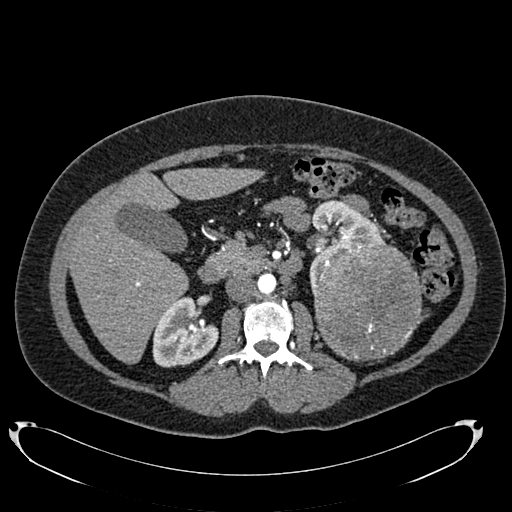
Axial slice 431 of 634 of a contrast-enhanced abdominal CT in the arterial phase (slice 1 is the lowest), 120 kVp, kernel B20f; 1.00 mm slice thickness and 0.838 mm pixels.
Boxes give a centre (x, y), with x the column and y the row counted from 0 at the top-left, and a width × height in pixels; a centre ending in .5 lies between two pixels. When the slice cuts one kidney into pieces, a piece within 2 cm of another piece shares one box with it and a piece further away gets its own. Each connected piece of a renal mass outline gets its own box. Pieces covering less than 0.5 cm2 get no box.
Boxed on this slice (two kidney boxes and one renal mass box), listed by box centre from the image's left to its right: (1) Right kidney in a box with centre (185, 331.5), 67 × 72 pixels (outlined area 3,388 px, about 23.8 cm2). (2) Left kidney, box centre (346.5, 245.5), 78 × 94 pixels (outlined area 2,909 px, about 20.4 cm2). (3) Box centre (367.5, 301), 110 × 121 pixels: left renal mass (outlined area 10,676 px, about 75.0 cm2).